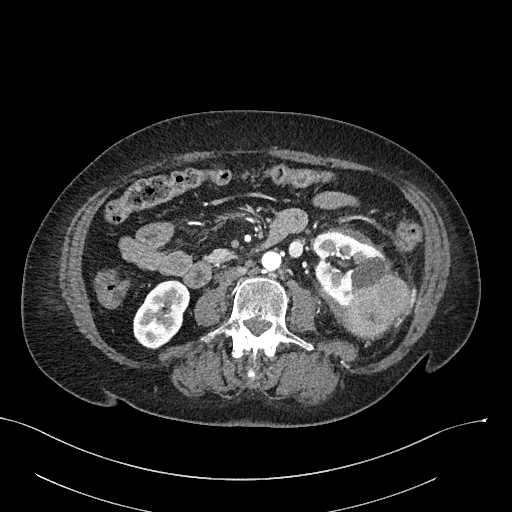
One axial slice (103 of 316, counting up from the lowest) of an arterial-phase abdominal CT acquired with 100 kVp, kernel I40f; each pixel is 0.840 mm and the slice is 2.00 mm thick.
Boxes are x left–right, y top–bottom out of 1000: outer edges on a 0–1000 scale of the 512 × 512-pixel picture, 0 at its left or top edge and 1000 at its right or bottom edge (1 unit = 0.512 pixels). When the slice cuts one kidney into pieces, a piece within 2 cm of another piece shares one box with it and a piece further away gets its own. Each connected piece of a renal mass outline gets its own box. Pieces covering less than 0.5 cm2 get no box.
Two kidney boxes and one renal mass box on this slice; by box centre, from the image's left to its right: (1) Right kidney at x 260–371, y 545–682 out of 1000 (outlined area 2,769 px, about 19.5 cm2). (2) Left kidney, box x 611–764, y 453–604 out of 1000 (outlined area 3,224 px, about 22.7 cm2). (3) Left renal mass, box x 672–805, y 527–662 out of 1000 (outlined area 3,071 px, about 21.7 cm2).